One axial slice (161 of 285, counting up from the lowest) of an arterial-phase abdominal CT acquired with 120 kVp, kernel B31f; each pixel is 0.762 mm and the slice is 2.00 mm thick.
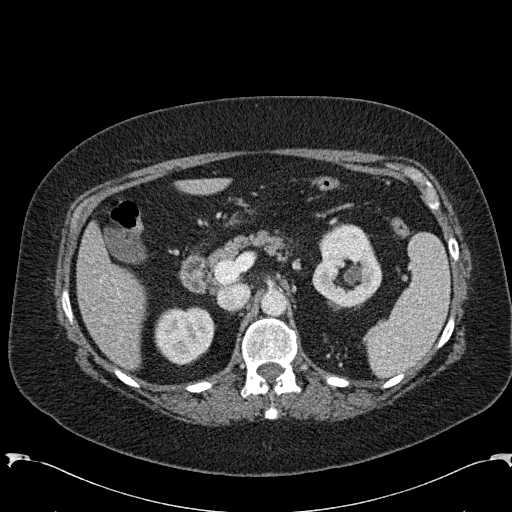
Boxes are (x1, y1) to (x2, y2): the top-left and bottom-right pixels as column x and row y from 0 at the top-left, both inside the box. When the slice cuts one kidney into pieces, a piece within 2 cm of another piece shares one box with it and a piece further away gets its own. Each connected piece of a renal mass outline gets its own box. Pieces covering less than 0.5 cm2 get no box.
Boxed on this slice (two kidney boxes), listed by box centre from the image's left to its right: (1) Box (154, 306) to (215, 365): right kidney (outlined area 2,824 px, about 16.4 cm2). (2) Box (312, 223) to (382, 307): left kidney (outlined area 4,258 px, about 24.7 cm2). No renal mass outline on this slice.